Arterial-phase contrast-enhanced abdominal CT, axial slice 353 of 538 (counted from the lowest slice); tube voltage 120 kVp, convolution kernel B30f; slices 1.00 mm thick, 0.811 mm per pixel.
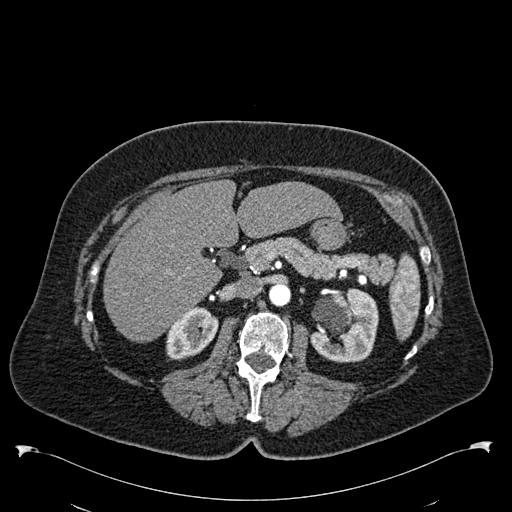
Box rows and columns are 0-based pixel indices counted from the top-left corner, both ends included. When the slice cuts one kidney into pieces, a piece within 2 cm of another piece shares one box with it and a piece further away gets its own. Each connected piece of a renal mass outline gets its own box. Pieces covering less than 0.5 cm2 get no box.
Boxed on this slice (two kidney boxes), listed by box centre from the image's left to its right: (1) Right kidney, box rows 306–360, columns 166–218 (outlined area 1,962 px, about 12.9 cm2). (2) Box rows 288–362, columns 310–378: left kidney (outlined area 3,907 px, about 25.7 cm2). No renal mass outline on this slice.